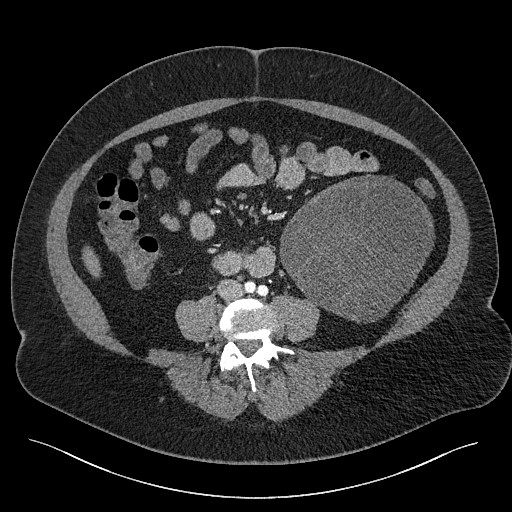
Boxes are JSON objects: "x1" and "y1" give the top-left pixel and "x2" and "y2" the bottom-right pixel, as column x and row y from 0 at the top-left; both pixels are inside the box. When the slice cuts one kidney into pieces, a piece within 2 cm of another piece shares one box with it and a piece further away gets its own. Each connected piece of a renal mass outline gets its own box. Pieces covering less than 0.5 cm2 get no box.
Contrast-enhanced abdominal CT, axial slice 71 of 301 (counted from the lowest slice); 2.00 mm thick, 0.859 mm per pixel. Left renal mass, box {"x1": 280, "y1": 174, "x2": 434, "y2": 323} (outlined area 16,554 px, about 122.3 cm2); no kidney is outlined on this slice, but the same outlined renal mass comes within 1 cm of the kidney on another slice.
Scan settings: 120 kVp, I40f reconstruction kernel.